Abdominal CT with intravenous contrast, arterial phase, axial plane, 120 kVp, kernel B30f. Slice 269/538 from the bottom of the scan; thickness 1.00 mm; pixel size 0.811 mm.
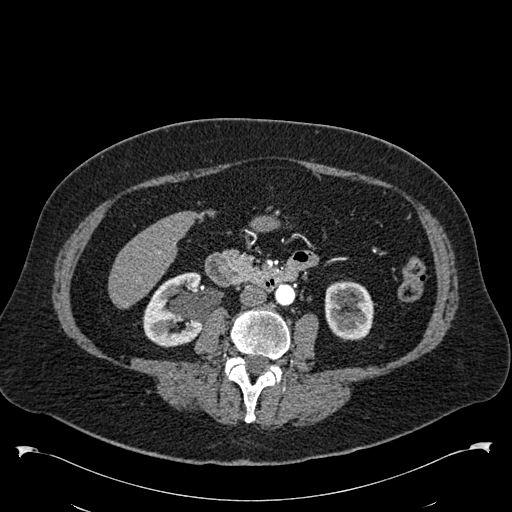
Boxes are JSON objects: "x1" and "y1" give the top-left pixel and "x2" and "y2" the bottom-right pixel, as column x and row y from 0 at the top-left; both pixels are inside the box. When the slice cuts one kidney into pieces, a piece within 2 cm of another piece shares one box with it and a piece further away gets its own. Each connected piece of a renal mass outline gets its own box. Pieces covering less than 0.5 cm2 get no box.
Boxed on this slice (two kidney boxes), listed by box centre from the image's left to its right: (1) Box {"x1": 143, "y1": 272, "x2": 202, "y2": 347}: right kidney (outlined area 3,459 px, about 22.7 cm2). (2) Box {"x1": 324, "y1": 281, "x2": 375, "y2": 340}: left kidney (outlined area 2,444 px, about 16.1 cm2). No renal mass is outlined on this slice.